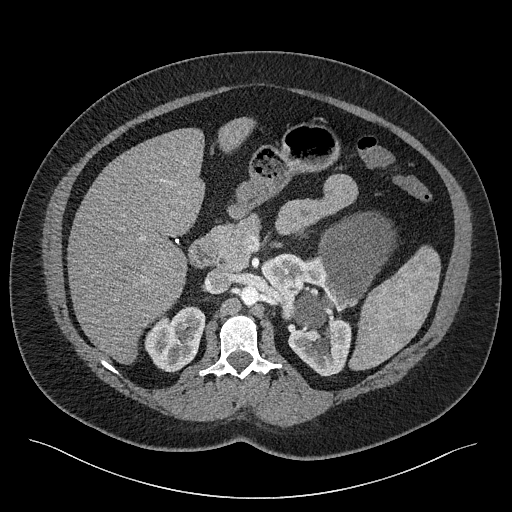
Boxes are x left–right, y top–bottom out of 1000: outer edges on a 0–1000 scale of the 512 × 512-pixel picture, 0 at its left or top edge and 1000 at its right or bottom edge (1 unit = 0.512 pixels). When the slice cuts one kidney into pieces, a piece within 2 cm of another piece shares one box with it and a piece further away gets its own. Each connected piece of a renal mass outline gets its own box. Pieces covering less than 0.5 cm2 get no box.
Slice 155/301 of a contrast-enhanced abdominal CT, counting up from the lowest; pixel size 0.859 mm, slice thickness 2.00 mm. Four boxes on this slice (two kidney boxes and two renal mass boxes), listed by box centre from the image's left to its right. (1) Right kidney at x 281–402, y 598–729 out of 1000 (outlined area 2,845 px, about 21.0 cm2). (2) Left kidney at x 508–688, y 494–736 out of 1000 (outlined area 5,096 px, about 37.6 cm2). (3) Left renal mass at x 568–650, y 561–643 out of 1000 (outlined area 1,251 px, about 9.2 cm2). (4) Box x 619–773, y 412–604 out of 1000: left renal mass (outlined area 5,103 px, about 37.7 cm2).
Tube voltage 120 kVp; convolution kernel I40f.